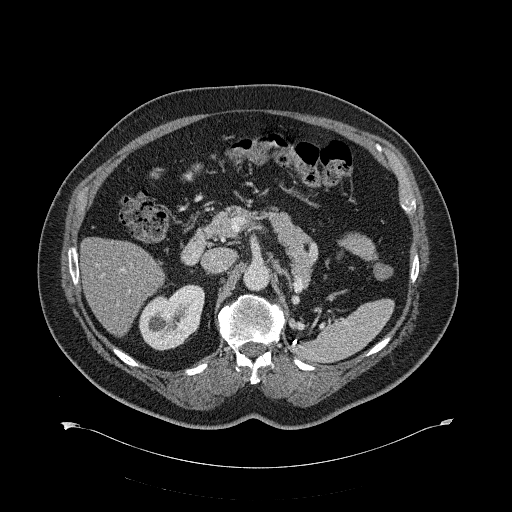
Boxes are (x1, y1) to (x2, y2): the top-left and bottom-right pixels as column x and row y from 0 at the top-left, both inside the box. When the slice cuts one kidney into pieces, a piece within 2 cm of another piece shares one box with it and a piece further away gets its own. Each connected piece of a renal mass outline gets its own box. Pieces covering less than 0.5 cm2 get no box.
This is axial slice 404 of 734 (slice 1 is the lowest) of an abdominal CT with contrast; each pixel is 0.971 mm and the slice is 2.00 mm thick. Box (139, 284) to (204, 350): right kidney (outlined area 3,123 px, about 29.4 cm2). This slice carries no renal mass outline.
Tube voltage 120 kVp; convolution kernel B31f.